One axial slice (312 of 512, counting up from the lowest) of an arterial-phase abdominal CT acquired with 120 kVp, kernel B30f; each pixel is 0.771 mm and the slice is 1.00 mm thick.
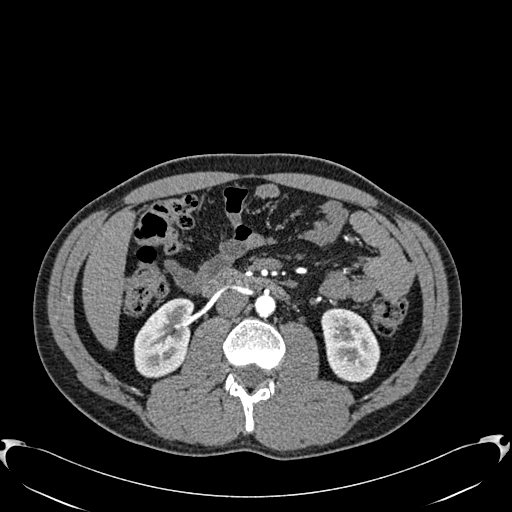
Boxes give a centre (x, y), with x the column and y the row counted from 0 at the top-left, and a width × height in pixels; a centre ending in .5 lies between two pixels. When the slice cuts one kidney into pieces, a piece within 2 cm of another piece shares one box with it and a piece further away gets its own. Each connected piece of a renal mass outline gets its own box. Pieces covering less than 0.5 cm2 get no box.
Boxed on this slice (two kidney boxes), listed by box centre from the image's left to its right: (1) Box centre (163, 337.5), 61 × 80 pixels: right kidney (outlined area 3,494 px, about 20.8 cm2). (2) Box centre (350.5, 344.5), 60 × 76 pixels: left kidney (outlined area 3,372 px, about 20.1 cm2). This slice carries no renal mass outline.